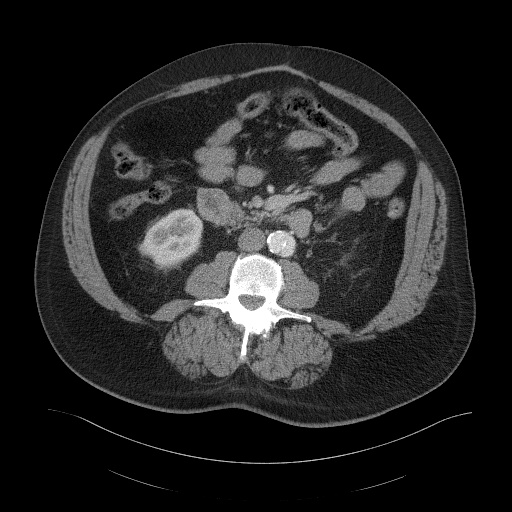
Arterial-phase contrast-enhanced abdominal CT, axial slice 61 of 103 (counted from the lowest slice); tube voltage 120 kVp, convolution kernel B41f; slices 5.00 mm thick, 0.951 mm per pixel.
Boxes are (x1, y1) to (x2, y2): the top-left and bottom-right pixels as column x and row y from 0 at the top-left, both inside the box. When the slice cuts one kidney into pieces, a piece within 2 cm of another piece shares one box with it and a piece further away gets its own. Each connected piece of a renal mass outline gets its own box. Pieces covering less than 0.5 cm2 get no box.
Box (138, 207) to (203, 270): right kidney (outlined area 2,811 px, about 25.4 cm2). This slice carries no renal mass outline.